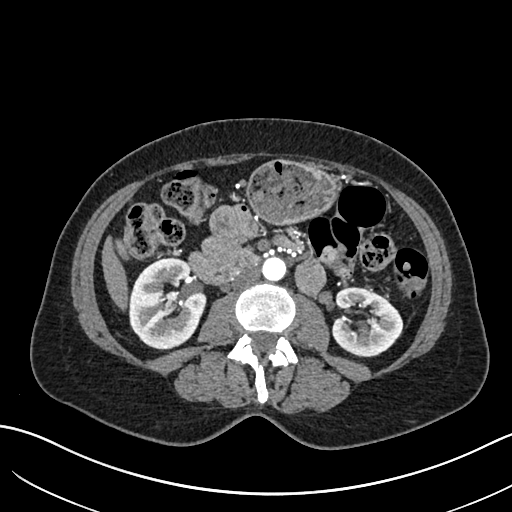
Axial slice 337 of 683 of a contrast-enhanced abdominal CT in the arterial phase (slice 1 is the lowest), 120 kVp, kernel I30f; 1.00 mm slice thickness and 0.738 mm pixels.
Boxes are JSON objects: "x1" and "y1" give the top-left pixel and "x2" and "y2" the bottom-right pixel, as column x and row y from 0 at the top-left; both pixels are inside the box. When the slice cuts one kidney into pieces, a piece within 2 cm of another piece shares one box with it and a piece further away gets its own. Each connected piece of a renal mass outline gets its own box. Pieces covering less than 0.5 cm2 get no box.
Two kidney boxes on this slice; by box centre, from the image's left to its right: (1) Right kidney at {"x1": 128, "y1": 257, "x2": 206, "y2": 350} (outlined area 5,441 px, about 29.7 cm2). (2) Left kidney, box {"x1": 331, "y1": 287, "x2": 403, "y2": 357} (outlined area 3,676 px, about 20.0 cm2). No renal mass outline on this slice.